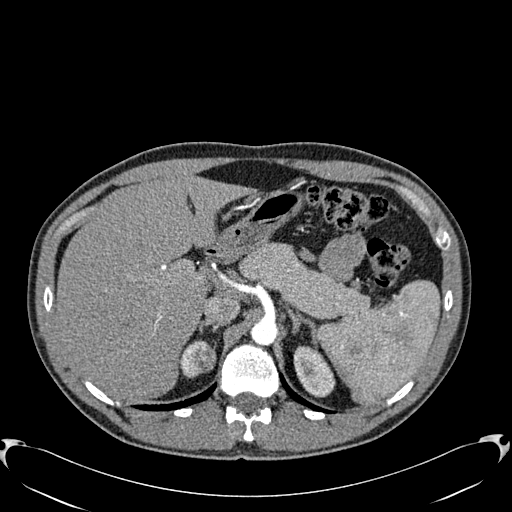
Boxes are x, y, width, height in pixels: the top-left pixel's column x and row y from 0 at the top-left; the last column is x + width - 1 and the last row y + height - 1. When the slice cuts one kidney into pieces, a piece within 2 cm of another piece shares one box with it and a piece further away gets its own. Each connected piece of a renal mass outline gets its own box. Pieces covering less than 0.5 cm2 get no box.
This is axial slice 446 of 512 (slice 1 is the lowest) of an arterial-phase abdominal CT with contrast; each pixel is 0.771 mm and the slice is 1.00 mm thick. Boxed on this slice (two kidney boxes and one renal mass box), listed by box centre from the image's left to its right: (1) Right kidney, box x 180, y 343, width 20, height 35 (outlined area 399 px, about 2.4 cm2). (2) Right renal mass, box x 192, y 340, width 24, height 34 (outlined area 613 px, about 3.6 cm2). (3) Left kidney at x 293, y 345, width 43, height 53 (outlined area 1,554 px, about 9.2 cm2).
Tube voltage 120 kVp; convolution kernel B30f.